Arterial-phase contrast-enhanced abdominal CT, axial slice 388 of 673 (counted from the lowest slice); tube voltage 140 kVp, convolution kernel I30f; slices 1.00 mm thick, 0.957 mm per pixel.
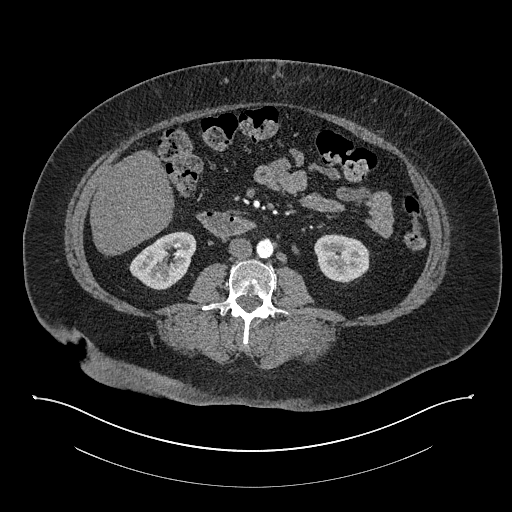
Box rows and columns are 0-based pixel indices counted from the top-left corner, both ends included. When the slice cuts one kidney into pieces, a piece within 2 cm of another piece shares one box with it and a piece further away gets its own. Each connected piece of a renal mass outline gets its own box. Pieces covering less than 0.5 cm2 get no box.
Two kidney boxes on this slice; by box centre, from the image's left to its right: (1) Right kidney at rows 231–289, columns 129–196 (outlined area 2,662 px, about 24.4 cm2). (2) Left kidney at rows 234–282, columns 314–369 (outlined area 2,151 px, about 19.7 cm2). This slice carries no renal mass outline.